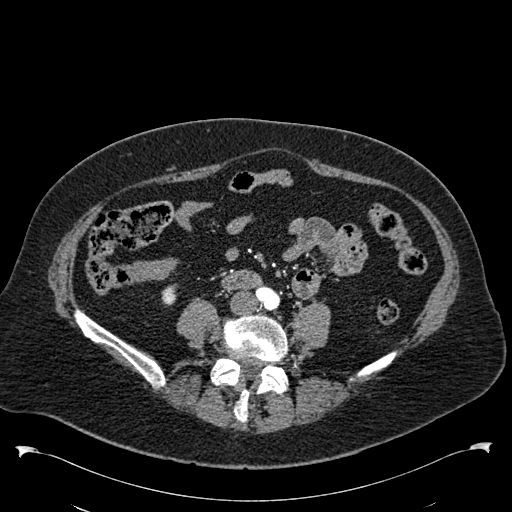
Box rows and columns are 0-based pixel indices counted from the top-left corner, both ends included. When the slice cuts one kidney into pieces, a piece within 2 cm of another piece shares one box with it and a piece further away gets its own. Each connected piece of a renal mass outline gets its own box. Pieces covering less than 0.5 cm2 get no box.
This is axial slice 194 of 538 (slice 1 is the lowest) of an arterial-phase abdominal CT with contrast; each pixel is 0.811 mm and the slice is 1.00 mm thick. Right kidney, box rows 284–305, columns 161–177 (outlined area 262 px, about 1.7 cm2). No renal mass outline on this slice.
Acquired at 120 kVp and reconstructed with the B30f kernel.